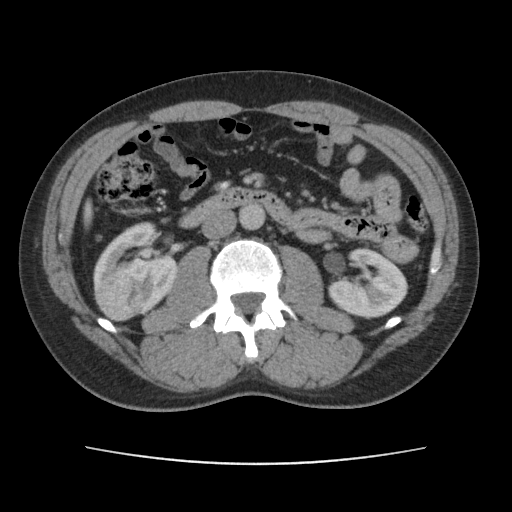
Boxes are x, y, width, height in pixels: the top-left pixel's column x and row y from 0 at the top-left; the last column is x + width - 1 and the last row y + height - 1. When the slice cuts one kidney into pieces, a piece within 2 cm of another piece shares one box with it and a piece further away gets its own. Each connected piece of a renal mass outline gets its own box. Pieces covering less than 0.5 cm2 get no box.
Arterial-phase contrast-enhanced abdominal CT, axial slice 63 of 101 (counted from the lowest slice); 5.00 mm thick, 0.755 mm per pixel. Three boxes on this slice (two kidney boxes and one renal mass box), listed by box centre from the image's left to its right. (1) Box x 94, y 266, width 63, height 56: right renal mass (outlined area 2,484 px, about 14.2 cm2). (2) Box x 93, y 221, width 86, height 94: right kidney (outlined area 3,643 px, about 20.8 cm2). (3) Left kidney at x 327, y 248, width 82, height 70 (outlined area 4,028 px, about 23.0 cm2).
Scan settings: 120 kVp, FC14 reconstruction kernel.